Abdominal CT with intravenous contrast, arterial phase, axial plane, 120 kVp, kernel I30f. Slice 351/670 from the bottom of the scan; thickness 1.00 mm; pixel size 0.861 mm.
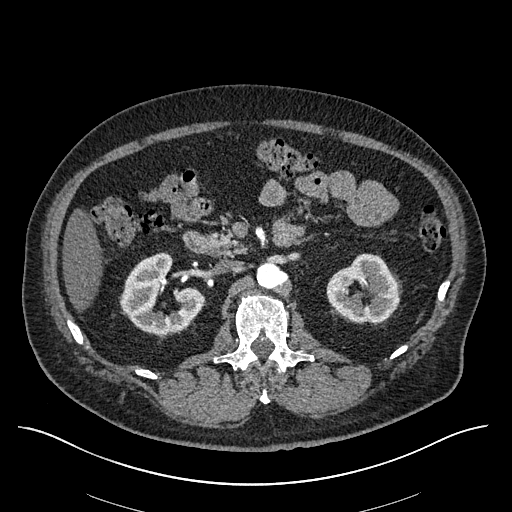
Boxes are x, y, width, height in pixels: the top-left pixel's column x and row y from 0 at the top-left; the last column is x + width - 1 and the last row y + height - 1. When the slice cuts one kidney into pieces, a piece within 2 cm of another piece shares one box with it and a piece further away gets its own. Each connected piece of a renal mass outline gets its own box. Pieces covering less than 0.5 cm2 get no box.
Two boxes on this slice (two kidney boxes), listed by box centre from the image's left to its right. (1) Right kidney, box x 119, y 252, width 86, height 83 (outlined area 4,268 px, about 31.7 cm2). (2) Box x 326, y 253, width 76, height 71: left kidney (outlined area 3,738 px, about 27.7 cm2). This slice carries no renal mass outline.